Axial slice 44 of 59 of a contrast-enhanced abdominal CT in the arterial phase (slice 1 is the lowest), 120 kVp, kernel B30f; 5.00 mm slice thickness and 0.871 mm pixels.
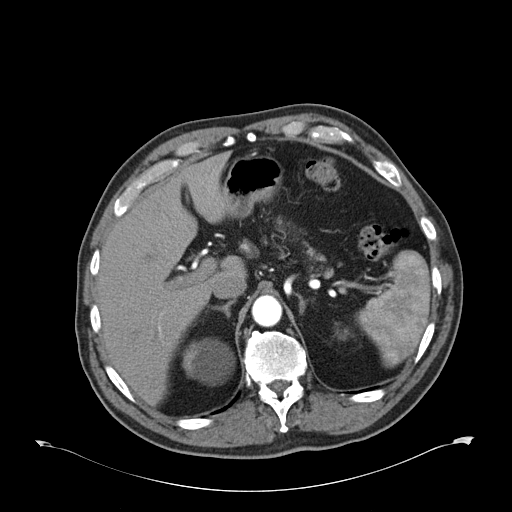
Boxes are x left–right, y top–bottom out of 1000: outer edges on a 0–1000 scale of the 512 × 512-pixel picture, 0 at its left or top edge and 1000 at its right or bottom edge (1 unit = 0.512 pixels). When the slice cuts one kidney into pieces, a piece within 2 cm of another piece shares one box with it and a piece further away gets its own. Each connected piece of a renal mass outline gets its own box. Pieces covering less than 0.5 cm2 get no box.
Two boxes on this slice (two kidney boxes), listed by box centre from the image's left to its right. (1) Right kidney at x 355–459, y 660–754 out of 1000 (outlined area 1,784 px, about 13.5 cm2). (2) Left kidney, box x 656–684, y 643–664 out of 1000 (outlined area 95 px, about 0.7 cm2). This slice carries no renal mass outline.